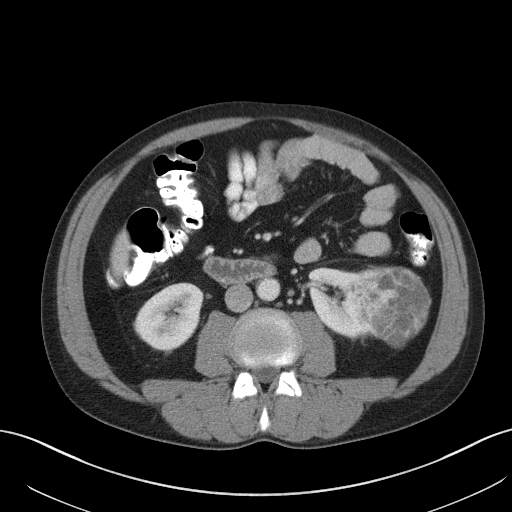
Abdominal CT with intravenous contrast, arterial phase, axial plane, 120 kVp, kernel B41f. Slice 52/131 from the bottom of the scan; thickness 5.00 mm; pixel size 0.760 mm.
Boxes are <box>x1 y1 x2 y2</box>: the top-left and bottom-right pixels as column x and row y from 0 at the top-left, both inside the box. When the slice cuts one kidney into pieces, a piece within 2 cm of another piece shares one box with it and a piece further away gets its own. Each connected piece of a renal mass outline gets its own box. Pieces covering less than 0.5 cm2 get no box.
Boxed on this slice (two kidney boxes and one renal mass box), listed by box centre from the image's left to its right: (1) Right kidney at <box>134 283 204 350</box> (outlined area 3,405 px, about 19.7 cm2). (2) At <box>308 267 369 338</box>: left kidney (outlined area 2,796 px, about 16.1 cm2). (3) Left renal mass: <box>354 267 429 345</box> (outlined area 4,605 px, about 26.6 cm2).